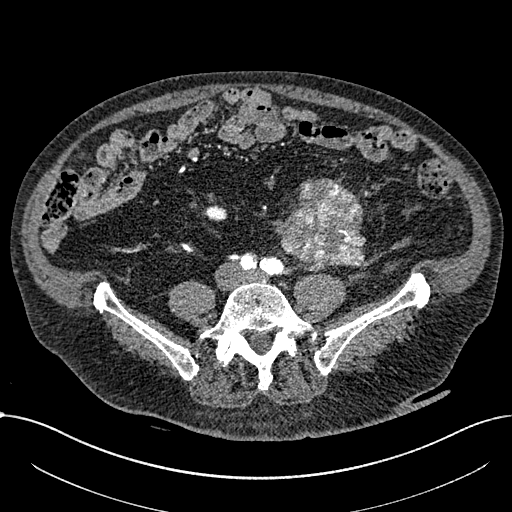
Arterial-phase contrast-enhanced abdominal CT, axial slice 196 of 1059 (counted from the lowest slice); tube voltage 100 kVp, convolution kernel I30f; slices 1.00 mm thick, 0.811 mm per pixel.
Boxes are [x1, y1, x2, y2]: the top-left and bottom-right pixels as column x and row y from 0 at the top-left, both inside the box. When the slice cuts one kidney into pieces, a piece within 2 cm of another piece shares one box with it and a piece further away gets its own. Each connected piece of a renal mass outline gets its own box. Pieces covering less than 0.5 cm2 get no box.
Two boxes on this slice (one kidney box and one renal mass box), listed by box centre from the image's left to its right. (1) Box [203, 205, 226, 221]: right part of the midline-crossing kidney (outlined area 294 px, about 1.9 cm2). (2) Renal mass, box [273, 178, 365, 267] (outlined area 5,992 px, about 39.4 cm2); it sits over 1 cm from every kidney outline on this slice, but the same outlined renal mass comes within 1 cm of the kidney on another slice.